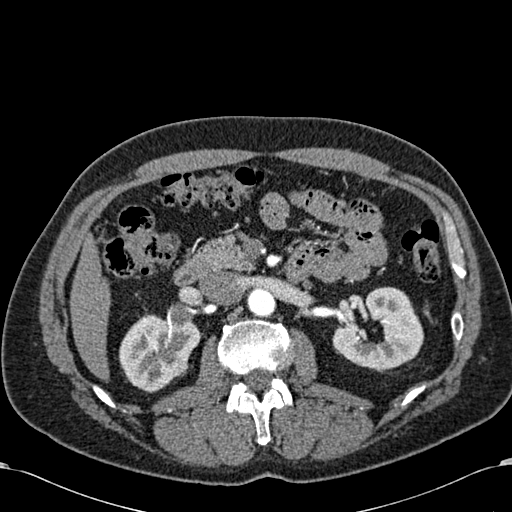
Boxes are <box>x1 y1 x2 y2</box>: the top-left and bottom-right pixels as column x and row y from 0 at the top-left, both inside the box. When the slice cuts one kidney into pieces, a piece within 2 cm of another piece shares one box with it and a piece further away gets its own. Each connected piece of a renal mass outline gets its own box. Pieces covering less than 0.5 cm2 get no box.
Slice 370/581 of a contrast-enhanced abdominal CT in the arterial phase, counting up from the lowest; pixel size 0.713 mm, slice thickness 1.00 mm. Boxed on this slice (two kidney boxes), listed by box centre from the image's left to its right: (1) Right kidney: <box>118 314 201 392</box> (outlined area 4,464 px, about 22.7 cm2). (2) Left kidney at <box>332 286 423 370</box> (outlined area 5,110 px, about 26.0 cm2).
Tube voltage 120 kVp; convolution kernel B30f.